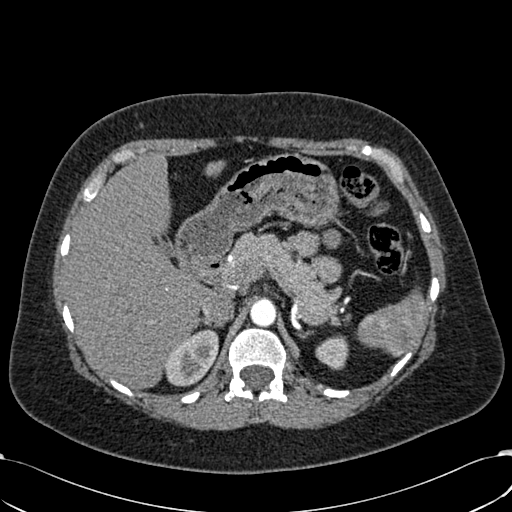
Arterial-phase contrast-enhanced abdominal CT, axial slice 443 of 532 (counted from the lowest slice); tube voltage 120 kVp, convolution kernel B30f; slices 1.00 mm thick, 0.713 mm per pixel.
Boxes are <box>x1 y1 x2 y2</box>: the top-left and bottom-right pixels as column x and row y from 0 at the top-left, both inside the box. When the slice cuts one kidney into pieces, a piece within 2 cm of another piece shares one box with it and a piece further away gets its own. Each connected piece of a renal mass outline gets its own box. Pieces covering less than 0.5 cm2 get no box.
Two boxes on this slice (two kidney boxes), listed by box centre from the image's left to its right. (1) Right kidney at <box>164 329 218 386</box> (outlined area 2,215 px, about 11.3 cm2). (2) Left kidney: <box>315 335 348 369</box> (outlined area 874 px, about 4.4 cm2). No renal mass outline on this slice.